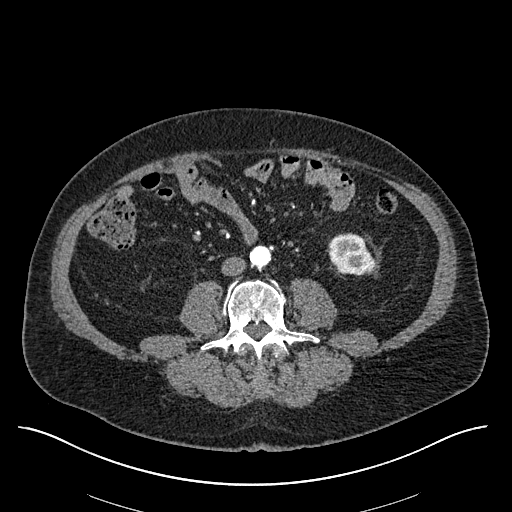
Abdominal CT with intravenous contrast, arterial phase, axial plane, 120 kVp, kernel I30f. Slice 217/670 from the bottom of the scan; thickness 1.00 mm; pixel size 0.861 mm.
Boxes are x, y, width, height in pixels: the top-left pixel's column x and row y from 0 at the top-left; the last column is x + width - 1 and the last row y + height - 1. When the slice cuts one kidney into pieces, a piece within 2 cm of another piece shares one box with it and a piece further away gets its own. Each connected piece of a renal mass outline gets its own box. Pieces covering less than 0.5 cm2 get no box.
Left kidney at x 328, y 233, width 49, height 42 (outlined area 1,535 px, about 11.4 cm2). No renal mass is outlined on this slice.